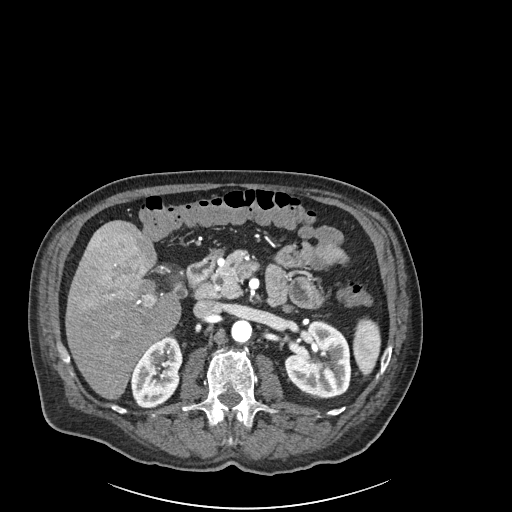
Abdominal CT with intravenous contrast, arterial phase, axial plane, 120 kVp, kernel I30f. Slice 123/261 from the bottom of the scan; thickness 2.00 mm; pixel size 0.939 mm.
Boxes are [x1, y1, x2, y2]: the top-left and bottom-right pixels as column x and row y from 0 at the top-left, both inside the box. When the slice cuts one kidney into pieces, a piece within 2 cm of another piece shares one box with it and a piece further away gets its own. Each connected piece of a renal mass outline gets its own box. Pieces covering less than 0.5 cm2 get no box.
Boxed on this slice (two kidney boxes), listed by box centre from the image's left to its right: (1) Right kidney at [130, 336, 182, 408] (outlined area 2,747 px, about 24.2 cm2). (2) Left kidney at [284, 320, 350, 397] (outlined area 3,885 px, about 34.3 cm2). No renal mass outline on this slice.